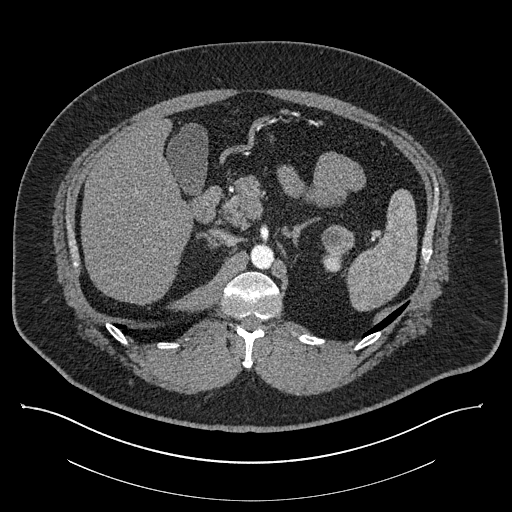
Contrast-enhanced abdominal CT, axial slice 564 of 787 (counted from the lowest slice); tube voltage 140 kVp, convolution kernel I30f; slices 1.00 mm thick, 0.910 mm per pixel.
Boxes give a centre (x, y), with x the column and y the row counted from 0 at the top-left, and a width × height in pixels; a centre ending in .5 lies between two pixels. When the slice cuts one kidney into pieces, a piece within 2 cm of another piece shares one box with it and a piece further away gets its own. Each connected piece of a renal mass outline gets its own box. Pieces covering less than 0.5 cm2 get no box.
One kidney box and one renal mass box on this slice; by box centre, from the image's left to its right: (1) Box centre (331.5, 261), 22 × 21 pixels: left kidney (outlined area 312 px, about 2.6 cm2). (2) Left renal mass in a box with centre (337.5, 240), 34 × 31 pixels (outlined area 791 px, about 6.6 cm2).